Arterial-phase contrast-enhanced abdominal CT, axial slice 336 of 548 (counted from the lowest slice); tube voltage 120 kVp, convolution kernel I26f; slices 1.00 mm thick, 0.852 mm per pixel.
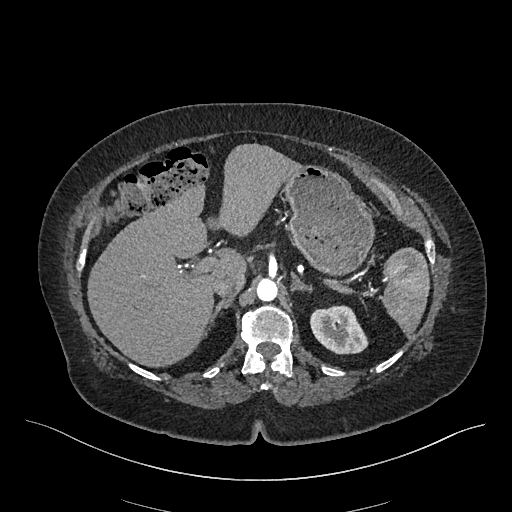
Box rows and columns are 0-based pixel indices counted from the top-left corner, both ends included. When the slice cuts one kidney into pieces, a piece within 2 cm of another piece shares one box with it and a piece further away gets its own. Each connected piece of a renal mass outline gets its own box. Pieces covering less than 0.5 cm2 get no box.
Left kidney, box rows 305–354, columns 310–368 (outlined area 2,160 px, about 15.7 cm2). This slice carries no renal mass outline.